Arterial-phase contrast-enhanced abdominal CT, axial slice 372 of 665 (counted from the lowest slice); tube voltage 100 kVp, convolution kernel I26f; slices 1.00 mm thick, 0.828 mm per pixel.
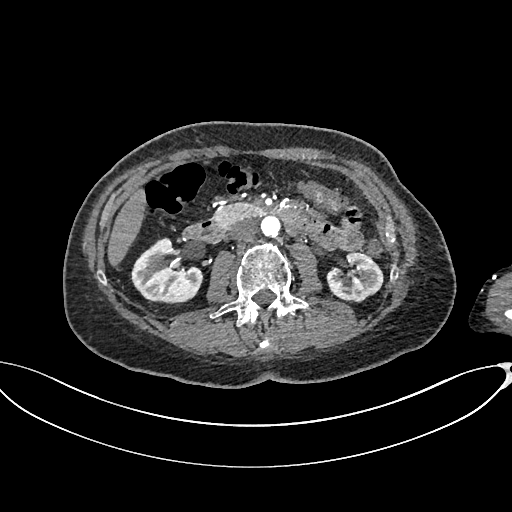
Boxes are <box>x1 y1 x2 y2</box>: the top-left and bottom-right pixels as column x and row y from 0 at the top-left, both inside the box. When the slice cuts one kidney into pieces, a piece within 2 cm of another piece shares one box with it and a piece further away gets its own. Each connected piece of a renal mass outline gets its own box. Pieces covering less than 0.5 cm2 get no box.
Two kidney boxes on this slice; by box centre, from the image's left to its right: (1) Right kidney at <box>131 237 203 303</box> (outlined area 3,322 px, about 22.8 cm2). (2) At <box>326 252 383 302</box>: left kidney (outlined area 2,116 px, about 14.5 cm2). No renal mass outline on this slice.